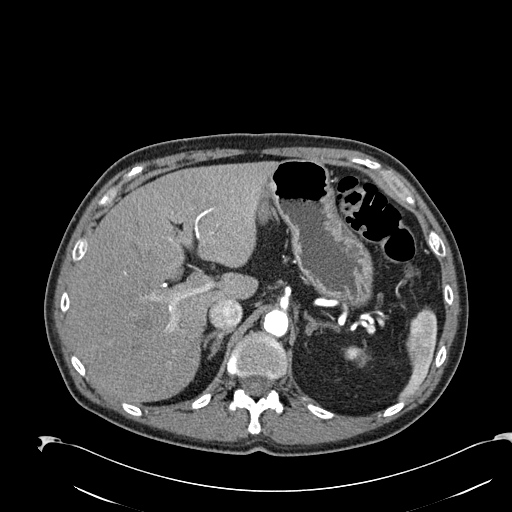
One axial slice (175 of 274, counting up from the lowest) of an arterial-phase abdominal CT acquired with 120 kVp, kernel B30f; each pixel is 0.809 mm and the slice is 2.00 mm thick.
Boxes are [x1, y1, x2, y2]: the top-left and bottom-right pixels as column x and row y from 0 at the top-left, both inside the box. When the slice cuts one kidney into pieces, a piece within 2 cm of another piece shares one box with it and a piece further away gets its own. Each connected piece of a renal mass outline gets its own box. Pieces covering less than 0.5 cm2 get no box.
Left kidney at [344, 347, 364, 361] (outlined area 231 px, about 1.5 cm2). No renal mass outline on this slice.